Axial slice 317 of 527 of a contrast-enhanced abdominal CT in the arterial phase (slice 1 is the lowest), 120 kVp, kernel I30f; 1.00 mm slice thickness and 0.859 mm pixels.
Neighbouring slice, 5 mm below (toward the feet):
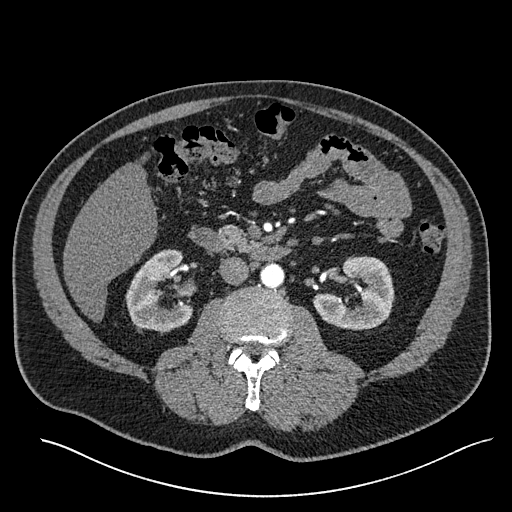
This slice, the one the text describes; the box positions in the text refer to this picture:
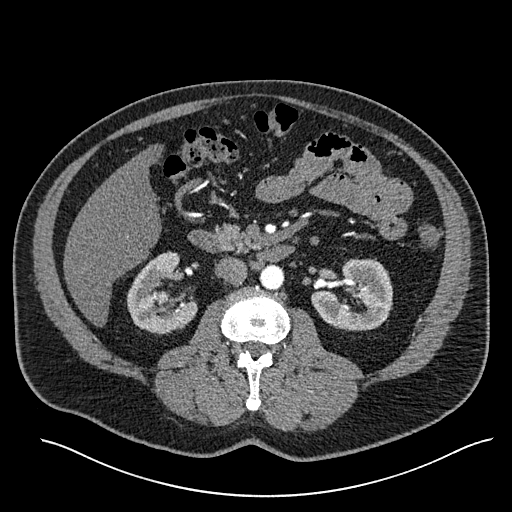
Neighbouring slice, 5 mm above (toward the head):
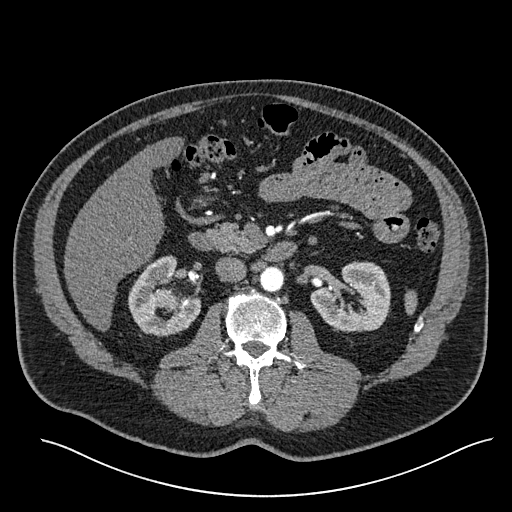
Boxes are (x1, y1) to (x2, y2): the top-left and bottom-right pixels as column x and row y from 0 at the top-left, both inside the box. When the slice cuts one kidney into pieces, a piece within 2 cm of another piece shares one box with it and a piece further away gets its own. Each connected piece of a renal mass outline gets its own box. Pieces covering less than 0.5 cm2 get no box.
Boxed on this slice (two kidney boxes and one renal mass box), listed by box centre from the image's left to its right: (1) Box (126, 251) to (197, 334): right kidney (outlined area 3,731 px, about 27.6 cm2). (2) Right renal mass, box (157, 290) to (169, 302) (outlined area 135 px, about 1.0 cm2). (3) Left kidney, box (311, 258) to (392, 330) (outlined area 4,246 px, about 31.4 cm2). This slice lies near the end of the right renal mass toward the feet; the slices 5 mm below and 5 mm above it are shown too, and the boxes mark positions on this slice only.